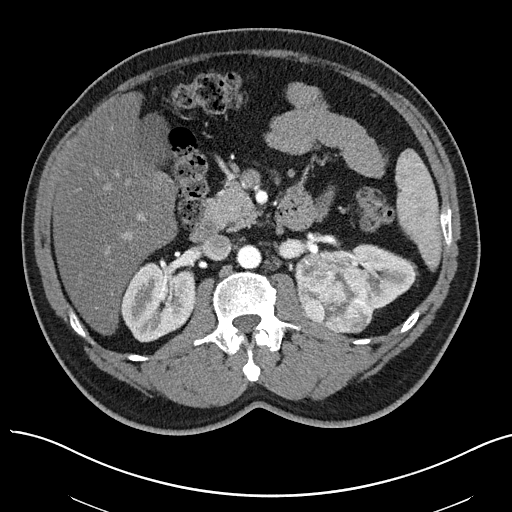
One axial slice (38 of 97, counting up from the lowest) of an arterial-phase abdominal CT acquired with 100 kVp, kernel I40f; each pixel is 0.797 mm and the slice is 3.00 mm thick.
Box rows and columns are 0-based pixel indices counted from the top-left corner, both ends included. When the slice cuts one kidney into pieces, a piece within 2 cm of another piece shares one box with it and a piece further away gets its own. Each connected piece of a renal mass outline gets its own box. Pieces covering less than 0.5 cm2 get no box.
Two kidney boxes and one renal mass box on this slice; by box centre, from the image's left to its right: (1) Right kidney, box rows 261–342, columns 119–196 (outlined area 4,664 px, about 29.6 cm2). (2) Box rows 249–333, columns 293–373: left renal mass (outlined area 5,174 px, about 32.9 cm2). (3) Box rows 244–310, columns 337–416: left kidney (outlined area 2,624 px, about 16.7 cm2).